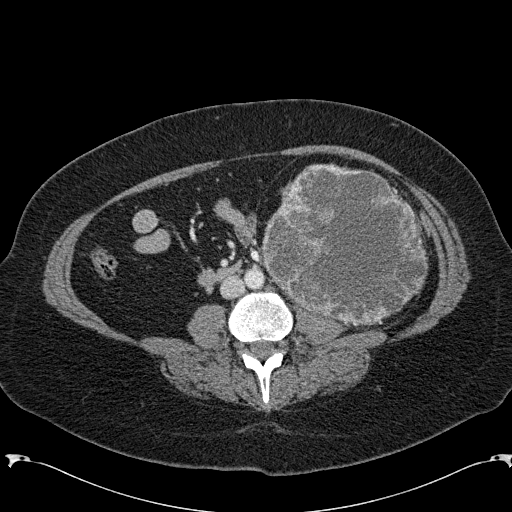
Arterial-phase contrast-enhanced abdominal CT, axial slice 74 of 285 (counted from the lowest slice); tube voltage 120 kVp, convolution kernel B31f; slices 2.00 mm thick, 0.762 mm per pixel.
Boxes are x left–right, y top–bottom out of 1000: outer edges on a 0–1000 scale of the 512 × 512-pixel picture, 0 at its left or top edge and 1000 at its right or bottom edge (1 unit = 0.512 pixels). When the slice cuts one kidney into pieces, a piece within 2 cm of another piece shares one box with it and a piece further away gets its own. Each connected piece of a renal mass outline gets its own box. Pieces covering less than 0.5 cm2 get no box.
Left renal mass at x 512–838, y 318–639 out of 1000 (outlined area 20,363 px, about 118.1 cm2); no kidney outline appears on this slice, but the same outlined renal mass comes within 1 cm of the kidney on another slice.